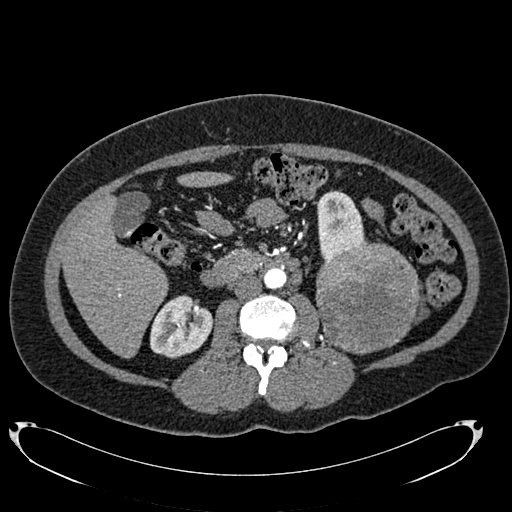
Axial slice 394 of 634 of a contrast-enhanced abdominal CT in the arterial phase (slice 1 is the lowest), 120 kVp, kernel B20f; 1.00 mm slice thickness and 0.838 mm pixels.
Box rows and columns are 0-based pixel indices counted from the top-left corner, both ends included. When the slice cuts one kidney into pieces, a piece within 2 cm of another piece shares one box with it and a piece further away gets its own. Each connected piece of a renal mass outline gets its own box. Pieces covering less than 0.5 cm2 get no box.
Two kidney boxes and one renal mass box on this slice; by box centre, from the image's left to its right: (1) Right kidney at rows 295–358, columns 150–213 (outlined area 2,968 px, about 20.8 cm2). (2) Left kidney, box rows 190–258, columns 316–368 (outlined area 2,437 px, about 17.1 cm2). (3) Box rows 242–354, columns 315–419: left renal mass (outlined area 9,343 px, about 65.6 cm2).